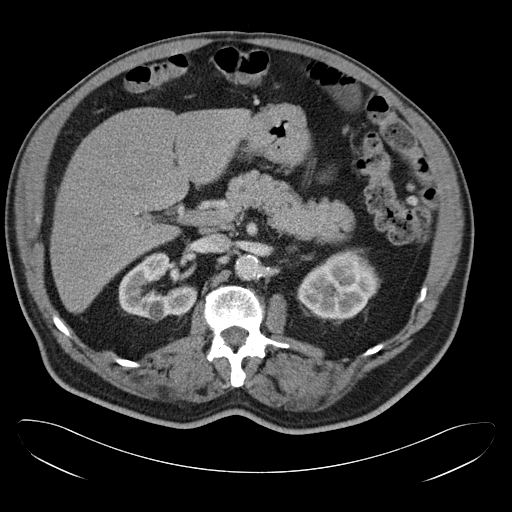
Axial slice 23 of 34 of a contrast-enhanced abdominal CT in the arterial phase (slice 1 is the lowest), 120 kVp, kernel B30f; 5.00 mm slice thickness and 0.830 mm pixels.
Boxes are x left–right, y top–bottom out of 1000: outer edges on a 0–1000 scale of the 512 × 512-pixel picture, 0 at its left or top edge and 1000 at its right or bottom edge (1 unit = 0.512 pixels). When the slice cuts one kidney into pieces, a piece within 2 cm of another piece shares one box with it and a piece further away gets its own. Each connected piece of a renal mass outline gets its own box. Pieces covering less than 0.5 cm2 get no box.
Two boxes on this slice (two kidney boxes), listed by box centre from the image's left to its right. (1) Box x 230–387, y 492–629 out of 1000: right kidney (outlined area 3,517 px, about 24.2 cm2). (2) Left kidney, box x 580–740, y 486–625 out of 1000 (outlined area 4,069 px, about 28.0 cm2). No renal mass is outlined on this slice.